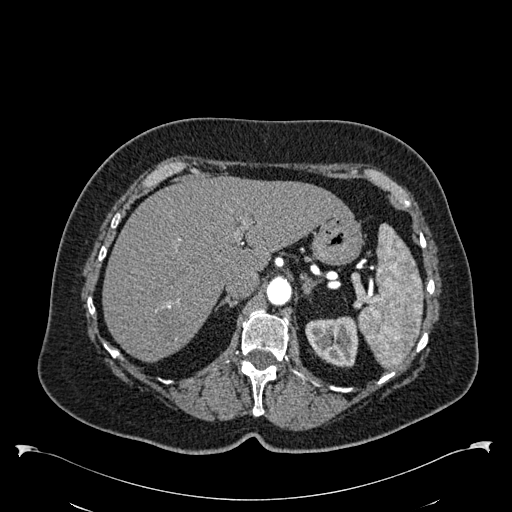
Axial slice 418 of 538 of a contrast-enhanced abdominal CT in the arterial phase (slice 1 is the lowest), 120 kVp, kernel B30f; 1.00 mm slice thickness and 0.811 mm pixels.
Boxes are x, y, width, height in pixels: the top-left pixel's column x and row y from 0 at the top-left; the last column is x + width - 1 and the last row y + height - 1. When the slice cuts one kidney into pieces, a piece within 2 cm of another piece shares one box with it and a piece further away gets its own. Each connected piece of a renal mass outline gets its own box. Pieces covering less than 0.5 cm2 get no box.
Left kidney, box x 305, y 316, width 54, height 52 (outlined area 2,151 px, about 14.1 cm2). No renal mass outline on this slice.